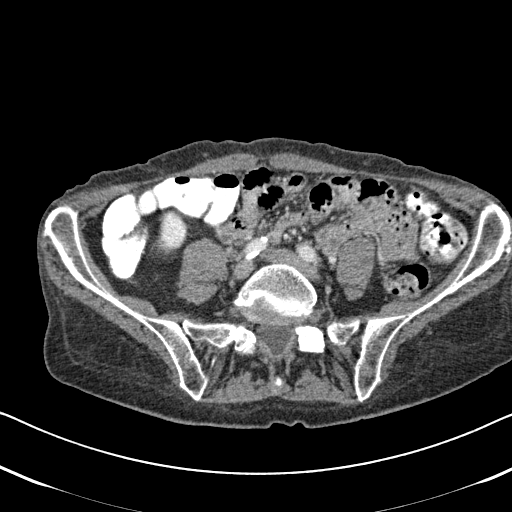
Arterial-phase contrast-enhanced abdominal CT, axial slice 214 of 620 (counted from the lowest slice); tube voltage 120 kVp, convolution kernel B31f; slices 2.00 mm thick, 0.637 mm per pixel.
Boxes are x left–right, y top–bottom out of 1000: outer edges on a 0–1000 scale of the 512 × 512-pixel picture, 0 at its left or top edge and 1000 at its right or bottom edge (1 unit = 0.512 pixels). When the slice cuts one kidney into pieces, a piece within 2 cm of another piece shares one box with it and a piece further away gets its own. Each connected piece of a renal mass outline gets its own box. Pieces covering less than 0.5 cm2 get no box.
Right kidney at x 303–371, y 408–504 out of 1000 (outlined area 1,144 px, about 4.6 cm2). No renal mass outline on this slice.